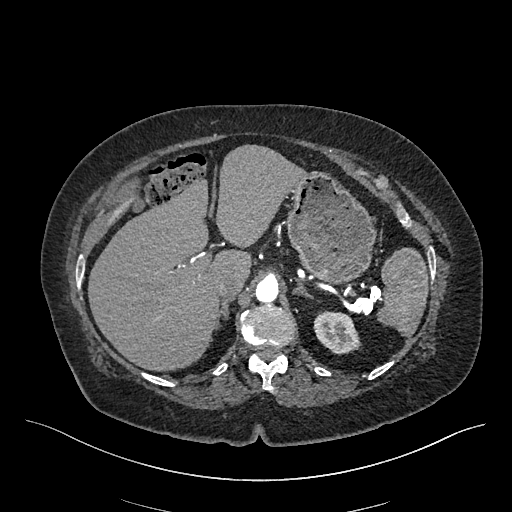
Axial slice 350 of 548 of a contrast-enhanced abdominal CT in the arterial phase (slice 1 is the lowest), 120 kVp, kernel I26f; 1.00 mm slice thickness and 0.852 mm pixels.
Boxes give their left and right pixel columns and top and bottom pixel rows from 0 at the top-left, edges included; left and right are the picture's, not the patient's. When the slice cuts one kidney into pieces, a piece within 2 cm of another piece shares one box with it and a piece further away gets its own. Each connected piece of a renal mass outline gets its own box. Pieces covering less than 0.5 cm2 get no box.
Box with left 313, top 311, right 361, bottom 354: left kidney (outlined area 1,543 px, about 11.2 cm2). No renal mass is outlined on this slice.